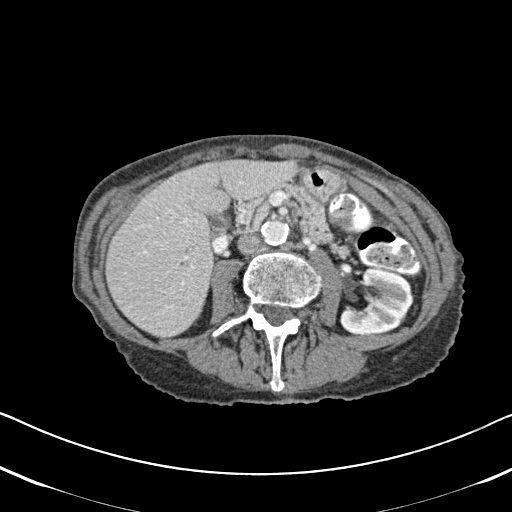
One axial slice (283 of 620, counting up from the lowest) of an arterial-phase abdominal CT acquired with 120 kVp, kernel B31f; each pixel is 0.637 mm and the slice is 2.00 mm thick.
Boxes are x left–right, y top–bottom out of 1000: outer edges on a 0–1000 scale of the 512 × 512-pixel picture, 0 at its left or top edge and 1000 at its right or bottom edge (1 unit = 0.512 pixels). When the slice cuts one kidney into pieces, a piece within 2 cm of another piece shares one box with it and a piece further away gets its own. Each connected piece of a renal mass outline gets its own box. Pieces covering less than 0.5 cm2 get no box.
Box x 664–809, y 521–656 out of 1000: left kidney (outlined area 3,488 px, about 14.1 cm2). No renal mass outline on this slice.